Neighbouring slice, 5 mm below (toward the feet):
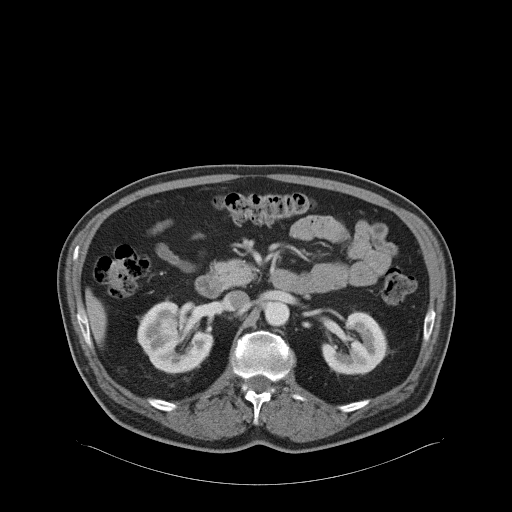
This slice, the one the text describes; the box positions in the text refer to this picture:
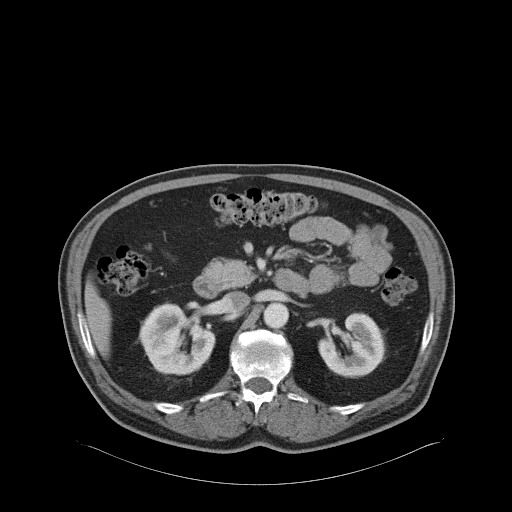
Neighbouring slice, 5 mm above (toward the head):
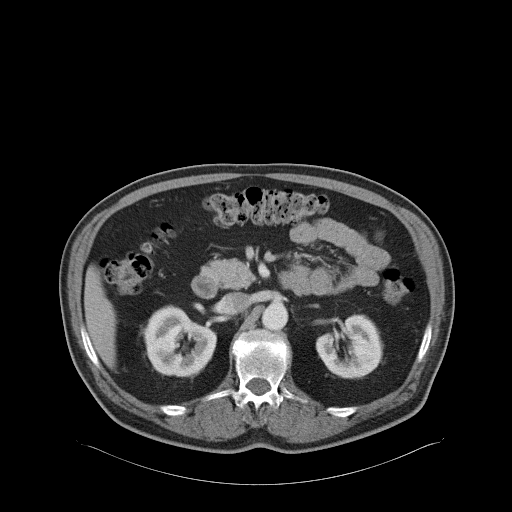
Axial slice 42 of 68 of a contrast-enhanced abdominal CT in the arterial phase (slice 1 is the lowest), 120 kVp, kernel B31f; 5.00 mm slice thickness and 0.961 mm pixels.
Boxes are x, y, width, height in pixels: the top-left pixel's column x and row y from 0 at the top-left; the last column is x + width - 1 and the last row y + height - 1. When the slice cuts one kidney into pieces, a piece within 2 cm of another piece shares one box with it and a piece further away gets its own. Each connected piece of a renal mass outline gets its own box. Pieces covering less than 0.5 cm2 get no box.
Boxed on this slice (two kidney boxes and one renal mass box), listed by box centre from the image's left to its right: (1) Box x 160, y 331, width 15, height 12: right renal mass (outlined area 146 px, about 1.3 cm2). (2) Right kidney, box x 138, y 302, width 78, height 74 (outlined area 3,880 px, about 35.8 cm2). (3) Left kidney at x 318, y 312, width 68, height 67 (outlined area 3,131 px, about 28.9 cm2). This slice is near the end of the right renal mass toward the head, so the slices 5 mm below and 5 mm above it are shown as well; the boxes refer to this slice only.